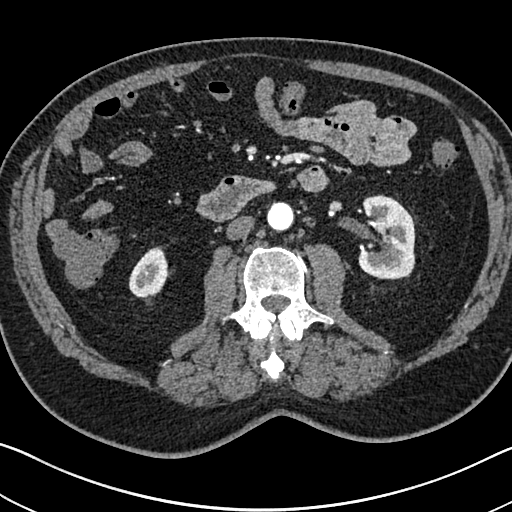
Abdominal CT with intravenous contrast, arterial phase, axial plane, 120 kVp, kernel I30f. Slice 367/705 from the bottom of the scan; thickness 1.00 mm; pixel size 0.703 mm.
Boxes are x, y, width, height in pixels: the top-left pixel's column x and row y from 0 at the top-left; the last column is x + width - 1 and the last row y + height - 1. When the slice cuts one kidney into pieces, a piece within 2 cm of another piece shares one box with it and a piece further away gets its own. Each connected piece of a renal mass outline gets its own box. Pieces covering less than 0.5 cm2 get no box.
Two boxes on this slice (two kidney boxes), listed by box centre from the image's left to its right. (1) Right kidney, box x 128, y 247, width 40, height 51 (outlined area 1,436 px, about 7.1 cm2). (2) Box x 357, y 194, width 59, height 86: left kidney (outlined area 4,010 px, about 19.8 cm2). This slice carries no renal mass outline.